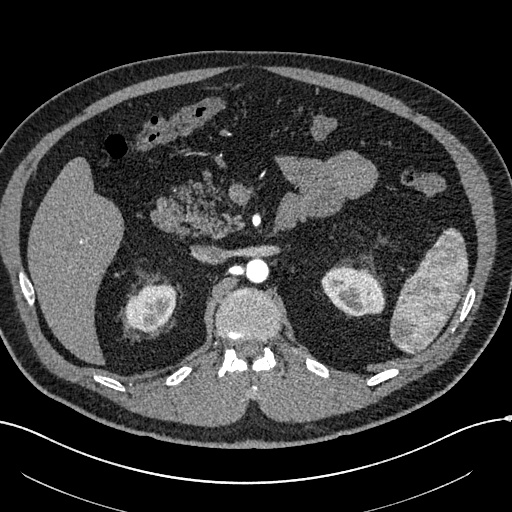
Abdominal CT with intravenous contrast, arterial phase, axial plane, 120 kVp, kernel I30f. Slice 401/602 from the bottom of the scan; thickness 1.00 mm; pixel size 0.799 mm.
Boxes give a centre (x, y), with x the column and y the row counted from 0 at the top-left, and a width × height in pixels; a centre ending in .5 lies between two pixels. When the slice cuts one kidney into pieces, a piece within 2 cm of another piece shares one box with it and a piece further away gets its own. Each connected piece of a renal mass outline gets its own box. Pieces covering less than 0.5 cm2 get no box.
Two boxes on this slice (two kidney boxes), listed by box centre from the image's left to its right. (1) Right kidney in a box with centre (150.5, 307), 52 × 49 pixels (outlined area 1,920 px, about 12.3 cm2). (2) Box centre (353, 290.5), 65 × 52 pixels: left kidney (outlined area 2,445 px, about 15.6 cm2). No renal mass is outlined on this slice.